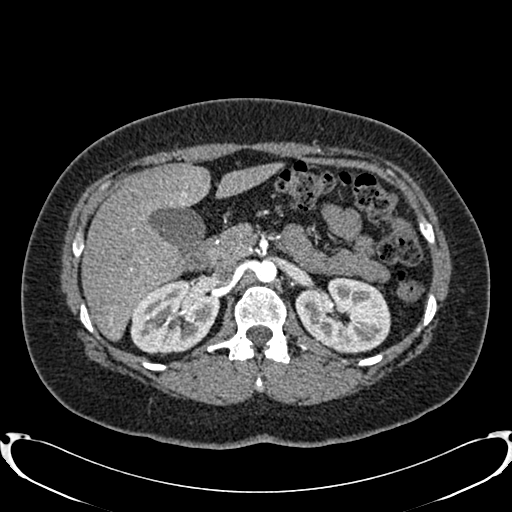
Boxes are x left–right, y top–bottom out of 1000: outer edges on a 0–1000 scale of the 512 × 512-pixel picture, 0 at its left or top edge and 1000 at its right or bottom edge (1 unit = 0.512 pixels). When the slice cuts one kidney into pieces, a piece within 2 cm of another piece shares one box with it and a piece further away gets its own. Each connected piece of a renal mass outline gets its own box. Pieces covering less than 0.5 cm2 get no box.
This is axial slice 514 of 719 (slice 1 is the lowest) of an arterial-phase abdominal CT with contrast; each pixel is 0.766 mm and the slice is 1.00 mm thick. Two boxes on this slice (two kidney boxes), listed by box centre from the image's left to its right. (1) Right kidney, box x 254–428, y 545–693 out of 1000 (outlined area 5,013 px, about 29.4 cm2). (2) Left kidney, box x 576–764, y 539–691 out of 1000 (outlined area 5,496 px, about 32.2 cm2). No renal mass is outlined on this slice.
Scan settings: 120 kVp, B20f reconstruction kernel.